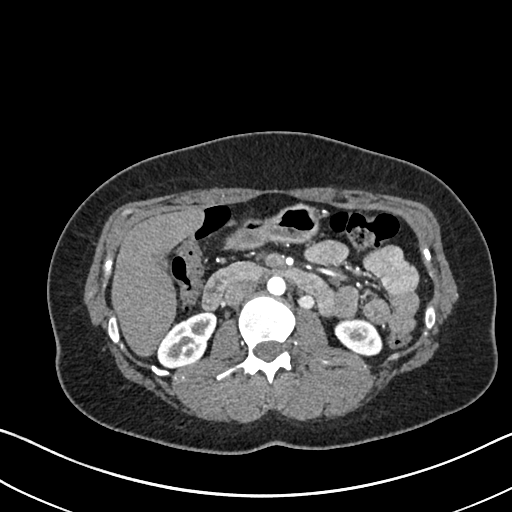
Arterial-phase contrast-enhanced abdominal CT, axial slice 388 of 612 (counted from the lowest slice); tube voltage 120 kVp, convolution kernel I30f; slices 1.00 mm thick, 0.703 mm per pixel.
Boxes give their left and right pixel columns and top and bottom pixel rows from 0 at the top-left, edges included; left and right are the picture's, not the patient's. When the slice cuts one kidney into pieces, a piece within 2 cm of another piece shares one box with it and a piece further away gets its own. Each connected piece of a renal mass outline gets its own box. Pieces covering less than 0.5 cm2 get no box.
Boxed on this slice (two kidney boxes), listed by box centre from the image's left to its right: (1) Right kidney in the box with left 157, top 311, right 216, bottom 368 (outlined area 2,220 px, about 11.0 cm2). (2) Left kidney in the box with left 334, top 318, right 382, bottom 354 (outlined area 1,367 px, about 6.8 cm2). No renal mass is outlined on this slice.